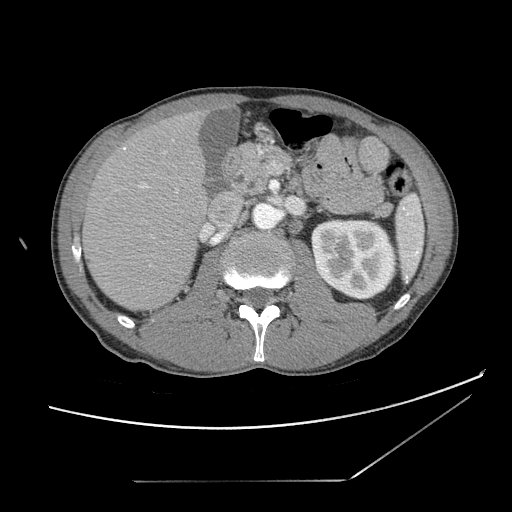
Abdominal CT with intravenous contrast, axial plane, 120 kVp, kernel STANDARD. Slice 68/121 from the bottom of the scan; thickness 2.50 mm; pixel size 0.742 mm.
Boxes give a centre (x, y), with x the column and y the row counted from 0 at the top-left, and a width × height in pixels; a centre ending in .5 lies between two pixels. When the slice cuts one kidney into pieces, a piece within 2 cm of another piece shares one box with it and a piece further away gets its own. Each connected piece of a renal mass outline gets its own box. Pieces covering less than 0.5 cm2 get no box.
Left kidney in a box with centre (353, 259), 85 × 81 pixels (outlined area 5,456 px, about 30.1 cm2). No renal mass is outlined on this slice.